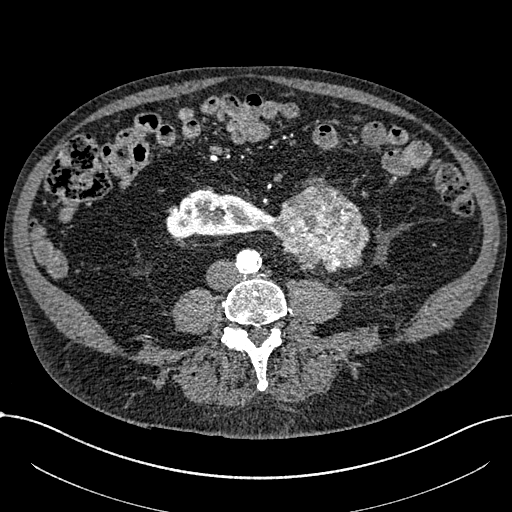
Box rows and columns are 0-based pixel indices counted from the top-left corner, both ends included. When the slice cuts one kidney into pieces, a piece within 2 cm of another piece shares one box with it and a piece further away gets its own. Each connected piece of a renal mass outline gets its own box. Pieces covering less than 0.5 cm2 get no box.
Arterial-phase contrast-enhanced abdominal CT, axial slice 248 of 1059 (counted from the lowest slice); 1.00 mm thick, 0.811 mm per pixel. One kidney box and one renal mass box on this slice; by box centre, from the image's left to its right: (1) Right part of the midline-crossing kidney at rows 188–239, columns 166–272 (outlined area 3,782 px, about 24.8 cm2). (2) Renal mass, box rows 181–272, columns 271–369 (outlined area 6,269 px, about 41.2 cm2).
Tube voltage 100 kVp; convolution kernel I30f.